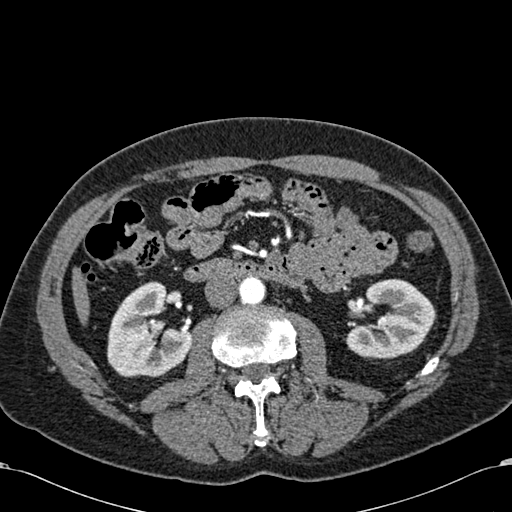
Abdominal CT with intravenous contrast, arterial phase, axial plane, 120 kVp, kernel B30f. Slice 319/581 from the bottom of the scan; thickness 1.00 mm; pixel size 0.713 mm.
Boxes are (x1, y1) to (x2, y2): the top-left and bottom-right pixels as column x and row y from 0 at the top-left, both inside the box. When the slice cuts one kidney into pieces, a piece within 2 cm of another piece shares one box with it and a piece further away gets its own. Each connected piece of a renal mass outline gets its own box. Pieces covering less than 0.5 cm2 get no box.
Two kidney boxes on this slice; by box centre, from the image's left to its right: (1) Right kidney, box (107, 282) to (191, 377) (outlined area 5,709 px, about 29.0 cm2). (2) Box (344, 278) to (436, 359): left kidney (outlined area 5,042 px, about 25.6 cm2). This slice carries no renal mass outline.